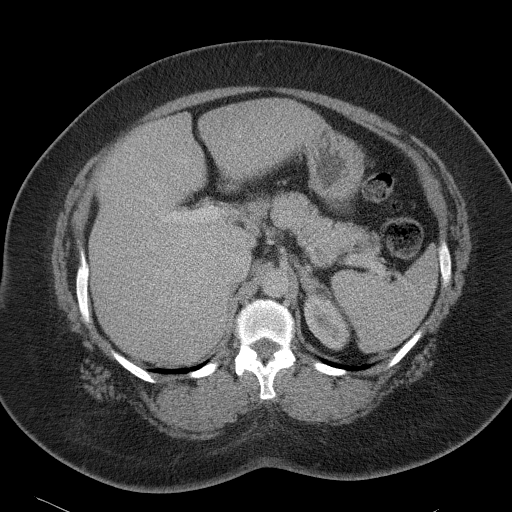
One axial slice (72 of 90, counting up from the lowest) of a contrast-enhanced abdominal CT acquired with 120 kVp, kernel B41f; each pixel is 0.781 mm and the slice is 5.00 mm thick.
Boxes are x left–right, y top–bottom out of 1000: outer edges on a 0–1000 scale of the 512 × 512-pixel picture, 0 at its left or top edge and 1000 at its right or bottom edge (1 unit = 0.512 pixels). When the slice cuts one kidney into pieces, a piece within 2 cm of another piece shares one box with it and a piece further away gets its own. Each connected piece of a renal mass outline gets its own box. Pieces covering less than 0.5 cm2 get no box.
Box x 592–686, y 570–686 out of 1000: left kidney (outlined area 1,896 px, about 11.6 cm2). This slice carries no renal mass outline.